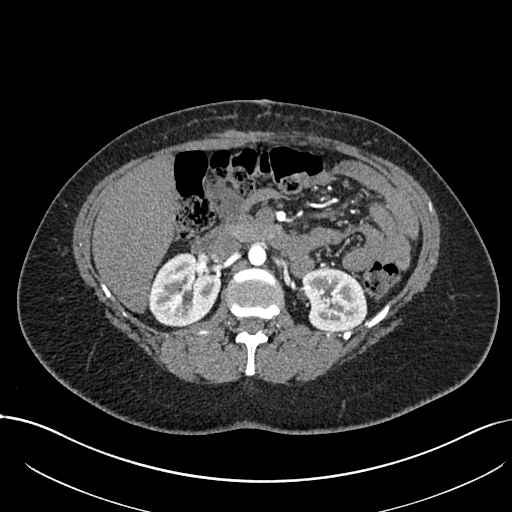
One axial slice (438 of 738, counting up from the lowest) of an arterial-phase abdominal CT acquired with 120 kVp, kernel I30f; each pixel is 0.789 mm and the slice is 1.00 mm thick.
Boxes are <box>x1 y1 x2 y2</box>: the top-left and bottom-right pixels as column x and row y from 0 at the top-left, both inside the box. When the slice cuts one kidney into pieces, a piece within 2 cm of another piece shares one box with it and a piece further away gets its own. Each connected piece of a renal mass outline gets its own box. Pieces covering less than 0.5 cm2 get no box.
Two boxes on this slice (two kidney boxes), listed by box centre from the image's left to its right. (1) At <box>148 252 220 326</box>: right kidney (outlined area 3,993 px, about 24.9 cm2). (2) At <box>302 267 367 331</box>: left kidney (outlined area 3,297 px, about 20.5 cm2). No renal mass outline on this slice.